Arterial-phase contrast-enhanced abdominal CT, axial slice 396 of 591 (counted from the lowest slice); tube voltage 140 kVp, convolution kernel I30f; slices 1.00 mm thick, 0.703 mm per pixel.
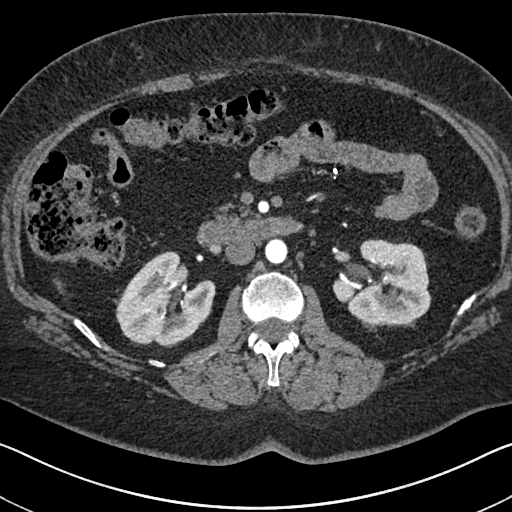
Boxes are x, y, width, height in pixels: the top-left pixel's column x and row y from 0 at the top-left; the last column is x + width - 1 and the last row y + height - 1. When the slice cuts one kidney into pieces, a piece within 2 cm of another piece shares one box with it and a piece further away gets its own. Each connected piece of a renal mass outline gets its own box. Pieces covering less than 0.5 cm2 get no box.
Two boxes on this slice (two kidney boxes), listed by box centre from the image's left to its right. (1) Right kidney at x 114, y 251, width 102, height 97 (outlined area 6,489 px, about 32.1 cm2). (2) Left kidney, box x 332, y 239, width 100, height 90 (outlined area 6,211 px, about 30.7 cm2). No renal mass is outlined on this slice.